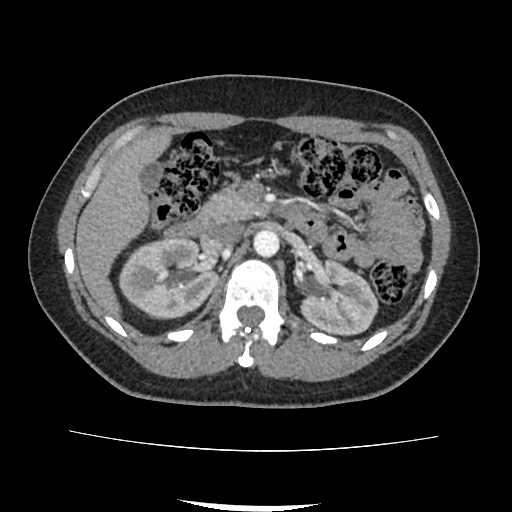
Abdominal CT with intravenous contrast, axial plane, 120 kVp, kernel FC18. Slice 57/103 from the bottom of the scan; thickness 3.00 mm; pixel size 0.714 mm.
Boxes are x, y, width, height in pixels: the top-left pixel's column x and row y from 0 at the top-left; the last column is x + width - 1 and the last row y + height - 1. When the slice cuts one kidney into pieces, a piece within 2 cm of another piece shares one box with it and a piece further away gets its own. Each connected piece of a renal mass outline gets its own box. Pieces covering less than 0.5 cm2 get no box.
Boxed on this slice (two kidney boxes), listed by box centre from the image's left to its right: (1) Right kidney at x 118, y 238, width 101, height 82 (outlined area 6,124 px, about 31.2 cm2). (2) Left kidney, box x 300, y 258, width 80, height 80 (outlined area 4,296 px, about 21.9 cm2). No renal mass is outlined on this slice.